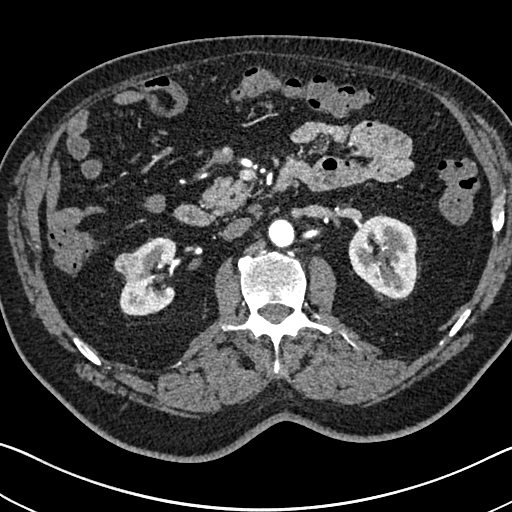
Abdominal CT with intravenous contrast, arterial phase, axial plane, 120 kVp, kernel I30f. Slice 418/705 from the bottom of the scan; thickness 1.00 mm; pixel size 0.703 mm.
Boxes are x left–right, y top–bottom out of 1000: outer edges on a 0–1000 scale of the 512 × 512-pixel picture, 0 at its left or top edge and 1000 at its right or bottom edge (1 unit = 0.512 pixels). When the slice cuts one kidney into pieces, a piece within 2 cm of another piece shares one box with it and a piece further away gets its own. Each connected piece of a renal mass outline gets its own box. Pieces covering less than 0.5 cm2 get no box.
Boxed on this slice (two kidney boxes and one renal mass box), listed by box centre from the image's left to its right: (1) Right renal mass, box x 223–281, y 492–549 out of 1000 (outlined area 643 px, about 3.2 cm2). (2) Right kidney, box x 232–348, y 461–617 out of 1000 (outlined area 3,042 px, about 15.0 cm2). (3) Left kidney at x 680–822, y 416–586 out of 1000 (outlined area 4,545 px, about 22.5 cm2).